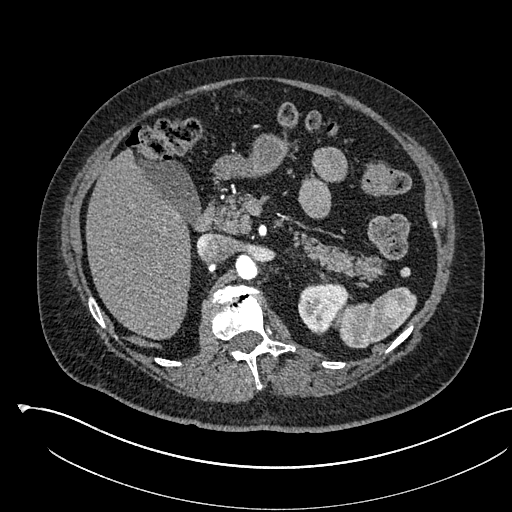
Abdominal CT with intravenous contrast, arterial phase, axial plane, 120 kVp, kernel I30f. Slice 373/541 from the bottom of the scan; thickness 1.00 mm; pixel size 0.834 mm.
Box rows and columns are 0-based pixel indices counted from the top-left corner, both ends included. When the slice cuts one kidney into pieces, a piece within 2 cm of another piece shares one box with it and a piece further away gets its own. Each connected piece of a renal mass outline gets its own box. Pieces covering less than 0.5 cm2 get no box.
Box rows 281–335, columns 298–347: left kidney (outlined area 1,862 px, about 13.0 cm2). No renal mass is outlined on this slice.